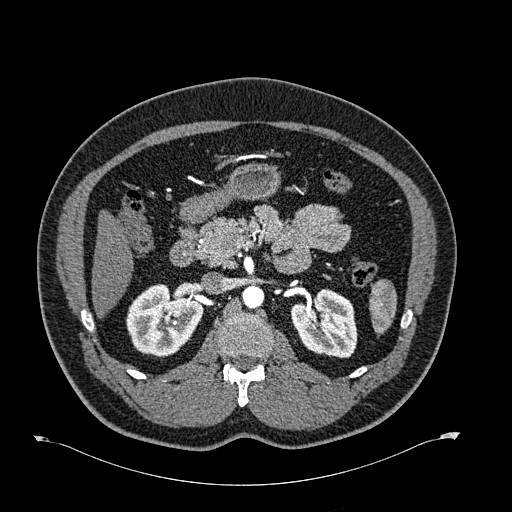
One axial slice (403 of 723, counting up from the lowest) of an arterial-phase abdominal CT acquired with 120 kVp, kernel B30f; each pixel is 0.895 mm and the slice is 1.00 mm thick.
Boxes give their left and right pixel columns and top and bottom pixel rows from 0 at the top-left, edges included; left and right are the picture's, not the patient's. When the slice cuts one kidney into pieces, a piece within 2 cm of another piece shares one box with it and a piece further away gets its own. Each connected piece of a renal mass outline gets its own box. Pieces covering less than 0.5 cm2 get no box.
Two boxes on this slice (two kidney boxes), listed by box centre from the image's left to its right. (1) Right kidney, the box with left 126, top 283, right 203, bottom 357 (outlined area 4,128 px, about 33.0 cm2). (2) Left kidney, the box with left 290, top 288, right 357, bottom 357 (outlined area 3,512 px, about 28.1 cm2). This slice carries no renal mass outline.